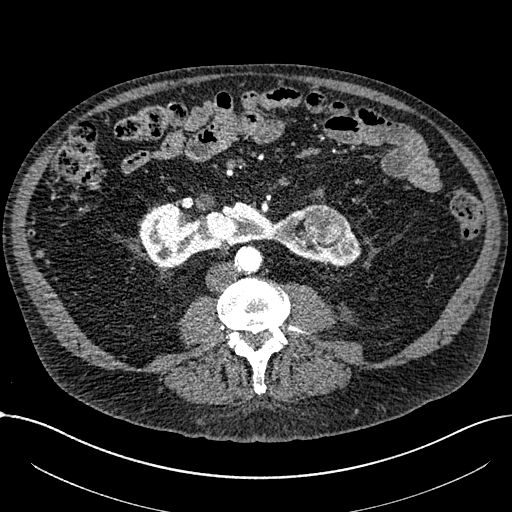
Arterial-phase contrast-enhanced abdominal CT, axial slice 297 of 1059 (counted from the lowest slice); tube voltage 100 kVp, convolution kernel I30f; slices 1.00 mm thick, 0.811 mm per pixel.
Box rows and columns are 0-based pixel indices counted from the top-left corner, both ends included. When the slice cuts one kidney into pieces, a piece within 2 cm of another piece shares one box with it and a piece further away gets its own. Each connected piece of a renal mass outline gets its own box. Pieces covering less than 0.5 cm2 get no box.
Boxed on this slice (one kidney box and one renal mass box), listed by box centre from the image's left to its right: (1) Kidney crossing the body midline at rows 201–268, columns 139–360 (outlined area 8,188 px, about 53.8 cm2). (2) Box rows 203–246, columns 298–346: renal mass (outlined area 1,664 px, about 10.9 cm2).